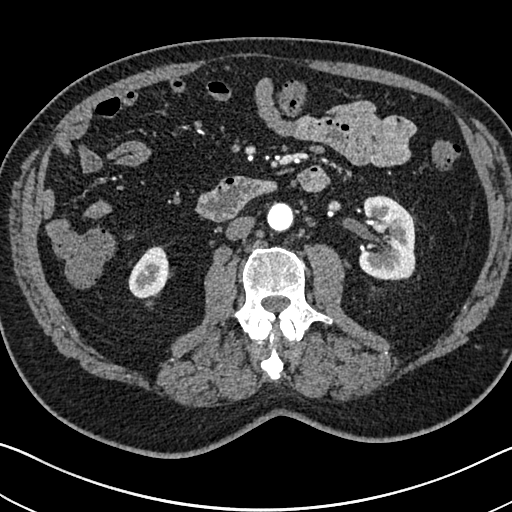
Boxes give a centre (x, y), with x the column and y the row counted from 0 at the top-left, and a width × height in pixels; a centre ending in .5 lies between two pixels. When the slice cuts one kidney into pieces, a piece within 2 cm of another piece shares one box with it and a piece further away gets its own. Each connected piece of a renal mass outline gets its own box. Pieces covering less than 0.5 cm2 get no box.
Arterial-phase contrast-enhanced abdominal CT, axial slice 369 of 705 (counted from the lowest slice); 1.00 mm thick, 0.703 mm per pixel. Two boxes on this slice (two kidney boxes), listed by box centre from the image's left to its right. (1) Right kidney, box centre (148.5, 272), 42 × 53 pixels (outlined area 1,590 px, about 7.9 cm2). (2) Left kidney in a box with centre (387, 237.5), 57 × 86 pixels (outlined area 4,059 px, about 20.1 cm2). No renal mass outline on this slice.
Tube voltage 120 kVp; convolution kernel I30f.